Axial slice 70 of 98 of a contrast-enhanced abdominal CT (slice 1 is the lowest), 130 kVp, kernel B30s; 5.00 mm slice thickness and 0.840 mm pixels.
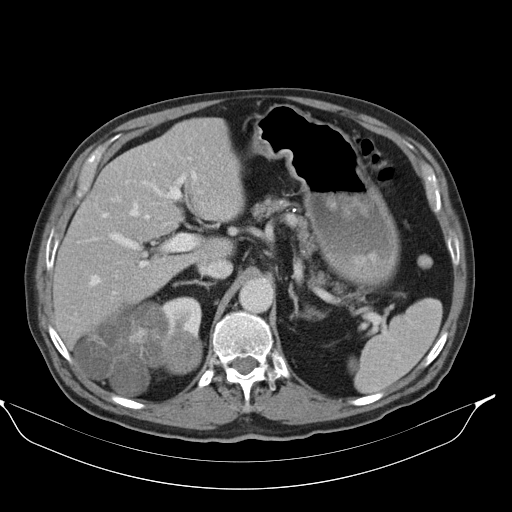
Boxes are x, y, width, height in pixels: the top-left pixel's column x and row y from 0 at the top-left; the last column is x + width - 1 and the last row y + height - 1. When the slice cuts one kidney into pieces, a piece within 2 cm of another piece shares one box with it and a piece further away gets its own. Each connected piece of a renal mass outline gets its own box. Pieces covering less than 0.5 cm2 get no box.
One kidney box and one renal mass box on this slice; by box centre, from the image's left to its right: (1) Right renal mass, box x 73, y 301, width 130, height 95 (outlined area 7,565 px, about 53.4 cm2). (2) Right kidney, box x 159, y 296, width 43, height 44 (outlined area 1,171 px, about 8.3 cm2).